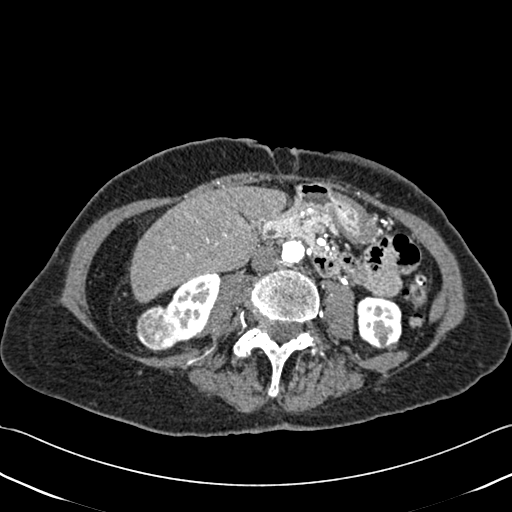
Abdominal CT with intravenous contrast, axial plane, 120 kVp, kernel B30f. Slice 183/433 from the bottom of the scan; thickness 1.00 mm; pixel size 0.672 mm.
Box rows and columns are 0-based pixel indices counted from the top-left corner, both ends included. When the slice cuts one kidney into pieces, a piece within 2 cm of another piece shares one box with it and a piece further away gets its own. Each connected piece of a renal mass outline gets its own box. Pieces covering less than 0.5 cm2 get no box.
Two kidney boxes and one renal mass box on this slice; by box centre, from the image's left to its right: (1) Right renal mass, box rows 305–352, columns 136–179 (outlined area 1,580 px, about 7.1 cm2). (2) Right kidney, box rows 273–342, columns 166–220 (outlined area 2,297 px, about 10.4 cm2). (3) Left kidney, box rows 296–349, columns 356–401 (outlined area 2,038 px, about 9.2 cm2).